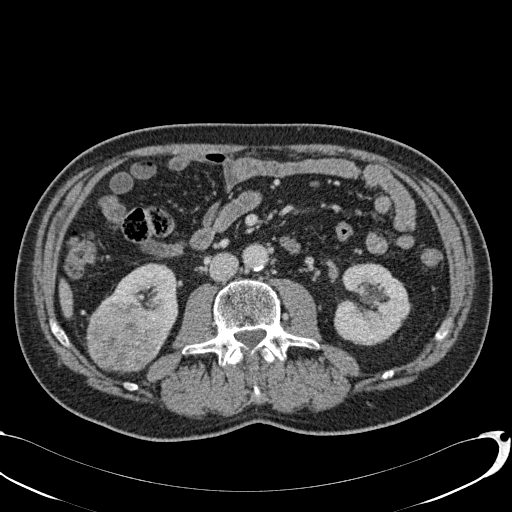
One axial slice (27 of 113, counting up from the lowest) of a contrast-enhanced abdominal CT acquired with 120 kVp, kernel B31f; each pixel is 0.742 mm and the slice is 2.00 mm thick.
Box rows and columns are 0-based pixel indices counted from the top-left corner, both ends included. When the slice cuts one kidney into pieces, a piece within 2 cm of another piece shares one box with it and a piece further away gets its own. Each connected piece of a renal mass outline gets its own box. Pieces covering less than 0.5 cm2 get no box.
Boxed on this slice (two kidney boxes and one renal mass box), listed by box centre from the image's left to its right: (1) Right renal mass at rows 302–373, columns 85–159 (outlined area 4,222 px, about 23.3 cm2). (2) Box rows 263–356, columns 101–178: right kidney (outlined area 3,091 px, about 17.0 cm2). (3) Left kidney, box rows 262–345, columns 333–411 (outlined area 4,771 px, about 26.3 cm2).